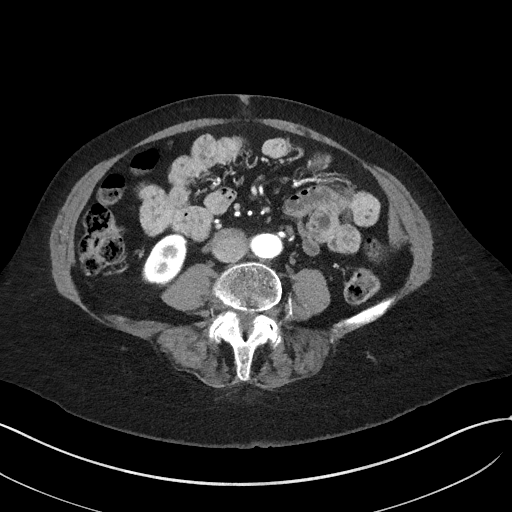
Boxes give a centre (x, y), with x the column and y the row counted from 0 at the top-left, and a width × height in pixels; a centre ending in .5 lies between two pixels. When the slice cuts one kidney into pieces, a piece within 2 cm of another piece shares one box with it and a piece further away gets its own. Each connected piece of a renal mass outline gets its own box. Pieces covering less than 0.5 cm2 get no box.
Slice 5/50 of a contrast-enhanced abdominal CT in the arterial phase, counting up from the lowest; pixel size 0.758 mm, slice thickness 3.00 mm. Box centre (164.5, 258.5), 46 × 50 pixels: right kidney (outlined area 1,609 px, about 9.2 cm2). No renal mass is outlined on this slice.
Acquired at 100 kVp and reconstructed with the I41f kernel.